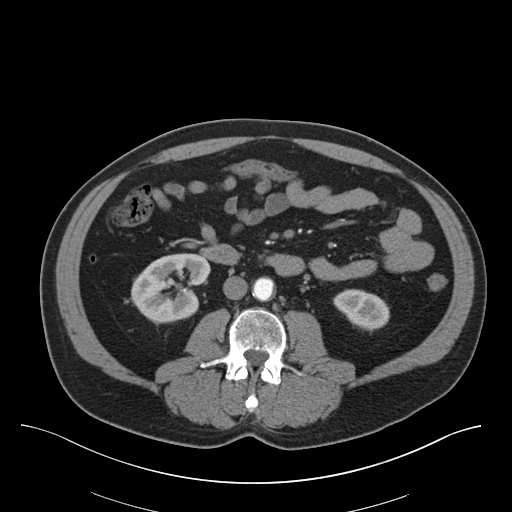
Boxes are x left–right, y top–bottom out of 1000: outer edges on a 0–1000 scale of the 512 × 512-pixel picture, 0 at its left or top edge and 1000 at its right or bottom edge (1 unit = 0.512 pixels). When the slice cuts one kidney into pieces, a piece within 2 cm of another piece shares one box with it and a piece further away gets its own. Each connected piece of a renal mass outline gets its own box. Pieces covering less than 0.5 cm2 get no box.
This is axial slice 19 of 75 (slice 1 is the lowest) of an abdominal CT with contrast; each pixel is 0.875 mm and the slice is 3.00 mm thick. Two kidney boxes on this slice; by box centre, from the image's left to its right: (1) Right kidney, box x 254–414, y 494–637 out of 1000 (outlined area 4,063 px, about 31.1 cm2). (2) Box x 650–762, y 564–648 out of 1000: left kidney (outlined area 1,681 px, about 12.9 cm2). No renal mass outline on this slice.
Scan settings: 140 kVp, B30f reconstruction kernel.